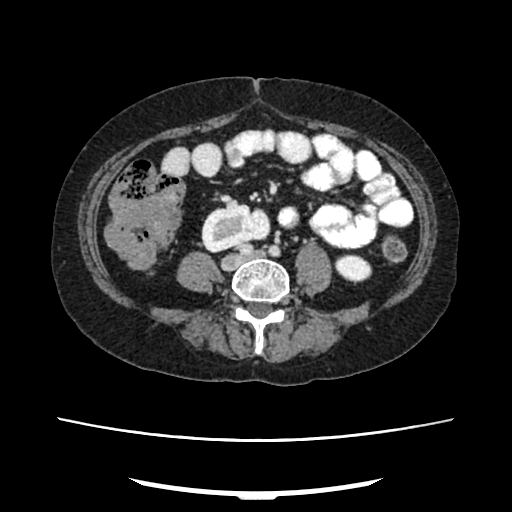
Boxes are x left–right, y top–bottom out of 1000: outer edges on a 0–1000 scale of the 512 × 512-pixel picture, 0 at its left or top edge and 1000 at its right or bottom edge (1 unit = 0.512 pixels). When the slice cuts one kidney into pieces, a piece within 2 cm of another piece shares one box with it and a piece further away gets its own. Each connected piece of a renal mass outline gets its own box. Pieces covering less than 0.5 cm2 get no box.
Arterial-phase contrast-enhanced abdominal CT, axial slice 101 of 207 (counted from the lowest slice); 2.00 mm thick, 0.741 mm per pixel. Two boxes on this slice (two kidney boxes), listed by box centre from the image's left to its right. (1) Right kidney, box x 393–529, y 398–494 out of 1000 (outlined area 2,484 px, about 13.6 cm2). (2) Left kidney at x 652–729, y 496–553 out of 1000 (outlined area 825 px, about 4.5 cm2). This slice carries no renal mass outline.
Tube voltage 120 kVp; convolution kernel FC18.